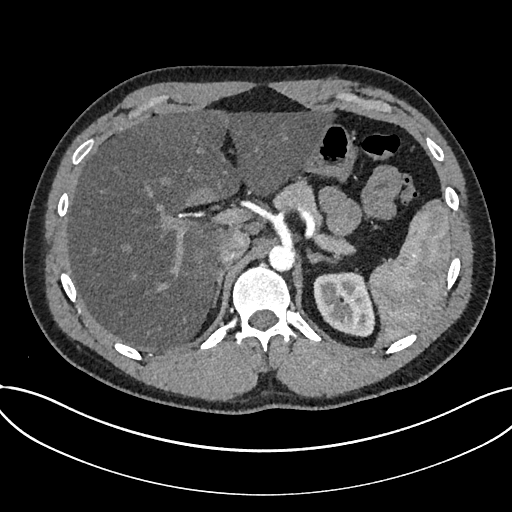
Axial slice 548 of 735 of a contrast-enhanced abdominal CT in the arterial phase (slice 1 is the lowest), 120 kVp, kernel I30f; 1.00 mm slice thickness and 0.789 mm pixels.
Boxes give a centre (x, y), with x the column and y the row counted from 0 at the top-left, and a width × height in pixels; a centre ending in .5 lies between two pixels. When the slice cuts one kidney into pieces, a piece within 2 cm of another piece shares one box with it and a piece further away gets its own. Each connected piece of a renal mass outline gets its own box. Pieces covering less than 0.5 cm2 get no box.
Box centre (344, 304.5), 63 × 66 pixels: kidney (outlined area 3,138 px, about 19.5 cm2). No renal mass is outlined on this slice.